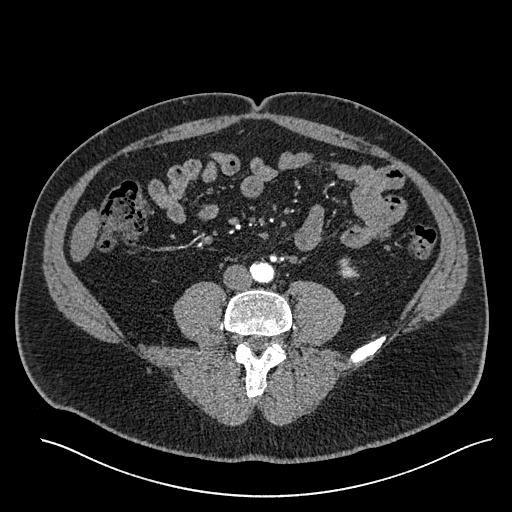
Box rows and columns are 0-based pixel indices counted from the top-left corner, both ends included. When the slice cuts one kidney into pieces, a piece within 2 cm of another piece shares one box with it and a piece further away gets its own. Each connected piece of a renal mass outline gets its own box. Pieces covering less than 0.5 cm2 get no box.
Arterial-phase contrast-enhanced abdominal CT, axial slice 180 of 527 (counted from the lowest slice); 1.00 mm thick, 0.859 mm per pixel. Box rows 257–278, columns 338–359: left kidney (outlined area 297 px, about 2.2 cm2). No renal mass outline on this slice.
Scan settings: 120 kVp, I30f reconstruction kernel.